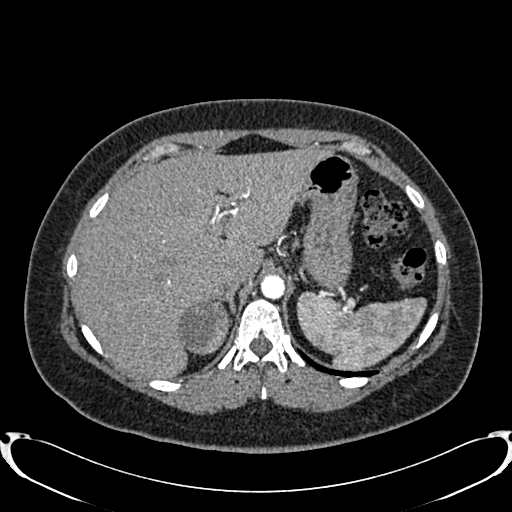
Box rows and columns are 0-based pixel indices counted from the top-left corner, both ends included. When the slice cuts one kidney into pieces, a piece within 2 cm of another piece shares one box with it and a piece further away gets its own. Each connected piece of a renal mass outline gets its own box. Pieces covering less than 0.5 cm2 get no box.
This is axial slice 625 of 719 (slice 1 is the lowest) of an arterial-phase abdominal CT with contrast; each pixel is 0.766 mm and the slice is 1.00 mm thick. Box rows 299–355, columns 178–230: right renal mass (outlined area 2,270 px, about 13.3 cm2); this slice has no kidney outline, though on another slice the same outlined renal mass lies within 1 cm of the kidney.
Tube voltage 120 kVp; convolution kernel B20f.